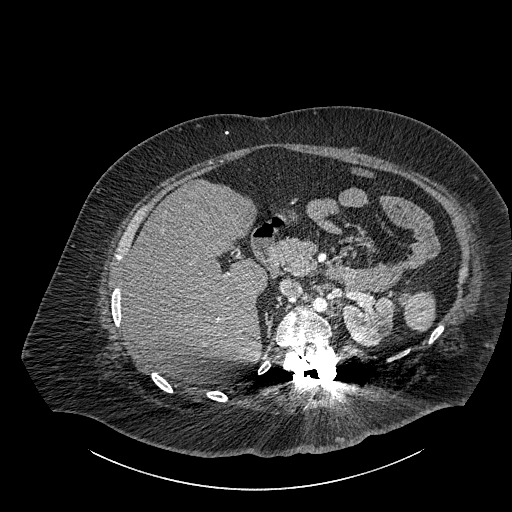
Contrast-enhanced abdominal CT, axial slice 602 of 834 (counted from the lowest slice); tube voltage 140 kVp, convolution kernel I30f; slices 1.00 mm thick, 0.977 mm per pixel.
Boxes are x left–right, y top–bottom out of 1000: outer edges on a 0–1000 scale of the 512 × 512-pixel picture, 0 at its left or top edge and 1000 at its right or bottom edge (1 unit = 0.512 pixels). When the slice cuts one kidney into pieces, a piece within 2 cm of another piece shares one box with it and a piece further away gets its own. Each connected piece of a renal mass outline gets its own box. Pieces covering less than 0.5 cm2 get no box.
Left part of the midline-crossing kidney, box x 668–770, y 578–678 out of 1000 (outlined area 1,996 px, about 19.0 cm2). This slice carries no renal mass outline.